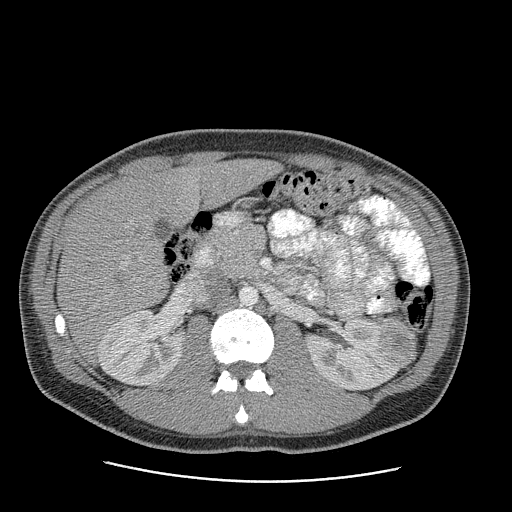
Axial slice 151 of 199 of a contrast-enhanced abdominal CT in the arterial phase (slice 1 is the lowest), 120 kVp, kernel STANDARD; 2.50 mm slice thickness and 0.789 mm pixels.
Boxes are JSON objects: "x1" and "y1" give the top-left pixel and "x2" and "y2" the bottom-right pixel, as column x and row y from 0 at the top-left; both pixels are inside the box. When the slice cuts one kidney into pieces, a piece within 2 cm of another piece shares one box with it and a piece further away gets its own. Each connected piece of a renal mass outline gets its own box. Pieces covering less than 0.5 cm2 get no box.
Boxed on this slice (two kidney boxes and one renal mass box), listed by box centre from the image's left to its right: (1) Right kidney, box {"x1": 98, "y1": 310, "x2": 183, "y2": 386} (outlined area 5,028 px, about 31.3 cm2). (2) Left kidney, box {"x1": 306, "y1": 317, "x2": 403, "y2": 390} (outlined area 4,712 px, about 29.3 cm2). (3) Box {"x1": 375, "y1": 319, "x2": 417, "y2": 366}: left renal mass (outlined area 1,495 px, about 9.3 cm2).